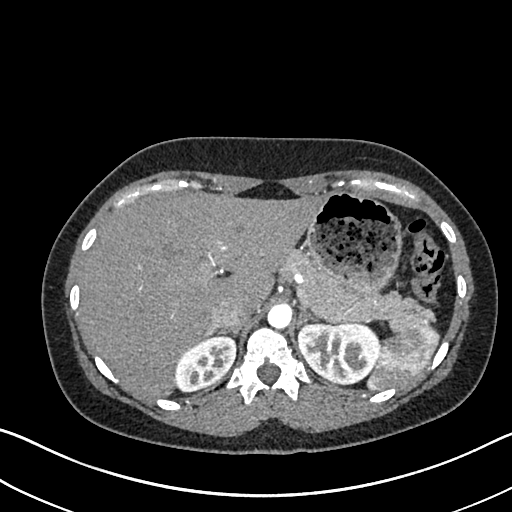
Abdominal CT with intravenous contrast, arterial phase, axial plane, 120 kVp, kernel I30f. Slice 523/612 from the bottom of the scan; thickness 1.00 mm; pixel size 0.703 mm.
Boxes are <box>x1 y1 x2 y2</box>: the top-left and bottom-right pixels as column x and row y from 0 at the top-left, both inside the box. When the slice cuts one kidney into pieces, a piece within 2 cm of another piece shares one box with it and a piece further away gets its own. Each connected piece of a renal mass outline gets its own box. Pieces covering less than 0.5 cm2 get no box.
Boxed on this slice (two kidney boxes), listed by box centre from the image's left to its right: (1) At <box>174 335 236 390</box>: right kidney (outlined area 2,486 px, about 12.3 cm2). (2) Left kidney: <box>297 322 379 385</box> (outlined area 4,120 px, about 20.4 cm2). No renal mass outline on this slice.